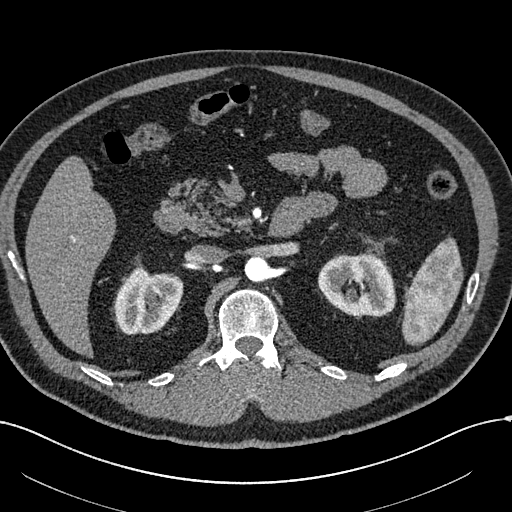
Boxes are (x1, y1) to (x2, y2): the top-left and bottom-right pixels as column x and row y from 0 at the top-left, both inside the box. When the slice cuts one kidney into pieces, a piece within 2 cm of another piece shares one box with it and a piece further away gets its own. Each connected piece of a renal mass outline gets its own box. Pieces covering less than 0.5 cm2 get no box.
Arterial-phase contrast-enhanced abdominal CT, axial slice 383 of 602 (counted from the lowest slice); 1.00 mm thick, 0.799 mm per pixel. Two boxes on this slice (two kidney boxes), listed by box centre from the image's left to its right. (1) Box (114, 266) to (183, 334): right kidney (outlined area 3,531 px, about 22.5 cm2). (2) Left kidney from (317, 252) to (396, 317) (outlined area 3,958 px, about 25.3 cm2). This slice carries no renal mass outline.
Tube voltage 120 kVp; convolution kernel I30f.